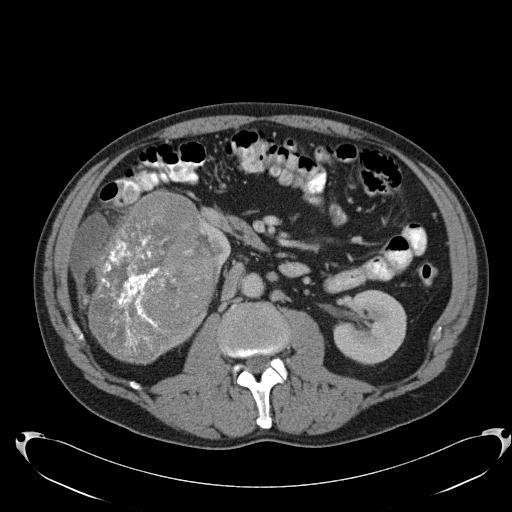
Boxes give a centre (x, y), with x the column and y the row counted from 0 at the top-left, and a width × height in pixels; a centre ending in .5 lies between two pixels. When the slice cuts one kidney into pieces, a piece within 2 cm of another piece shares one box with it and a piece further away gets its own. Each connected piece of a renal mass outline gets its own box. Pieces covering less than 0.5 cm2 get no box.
Contrast-enhanced abdominal CT, axial slice 61 of 103 (counted from the lowest slice); 5.00 mm thick, 0.801 mm per pixel. Boxed on this slice (two kidney boxes and one renal mass box), listed by box centre from the image's left to its right: (1) Box centre (151, 276), 131 × 177 pixels: right renal mass (outlined area 16,655 px, about 106.8 cm2). (2) Right kidney, box centre (217.5, 251), 28 × 65 pixels (outlined area 790 px, about 5.1 cm2). (3) Left kidney, box centre (369, 327), 75 × 77 pixels (outlined area 4,252 px, about 27.3 cm2).
Acquired at 120 kVp and reconstructed with the B31f kernel.